Contrast-enhanced abdominal CT, axial slice 299 of 433 (counted from the lowest slice); tube voltage 120 kVp, convolution kernel B30f; slices 1.00 mm thick, 0.672 mm per pixel.
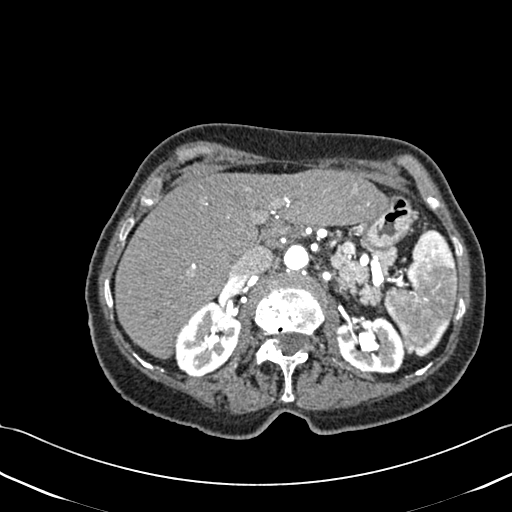
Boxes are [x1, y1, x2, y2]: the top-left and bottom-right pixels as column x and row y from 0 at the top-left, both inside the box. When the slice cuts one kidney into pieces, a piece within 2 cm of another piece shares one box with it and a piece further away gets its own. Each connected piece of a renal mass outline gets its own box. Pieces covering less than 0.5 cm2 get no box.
Boxed on this slice (two kidney boxes), listed by box centre from the image's left to its right: (1) Box [174, 301, 240, 376]: right kidney (outlined area 3,501 px, about 15.8 cm2). (2) Left kidney at [335, 316, 405, 374] (outlined area 3,140 px, about 14.2 cm2). No renal mass outline on this slice.